Axial slice 287 of 512 of a contrast-enhanced abdominal CT in the arterial phase (slice 1 is the lowest), 120 kVp, kernel B30f; 1.00 mm slice thickness and 0.771 mm pixels.
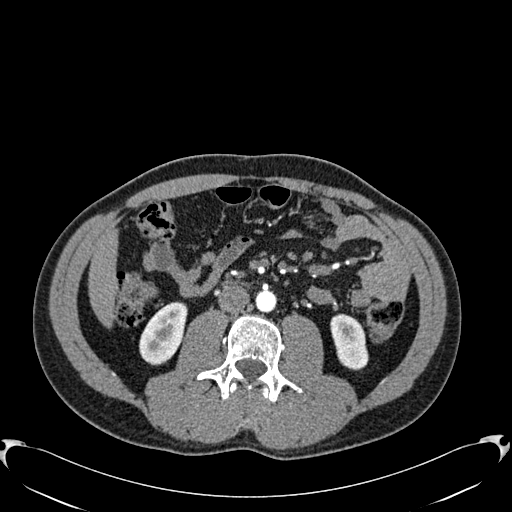
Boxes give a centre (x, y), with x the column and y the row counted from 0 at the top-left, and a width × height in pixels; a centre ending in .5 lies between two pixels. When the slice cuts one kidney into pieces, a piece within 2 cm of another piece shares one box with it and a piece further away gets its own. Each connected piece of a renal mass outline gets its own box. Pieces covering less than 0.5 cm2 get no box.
Boxed on this slice (two kidney boxes), listed by box centre from the image's left to its right: (1) Right kidney in a box with centre (163, 333), 49 × 65 pixels (outlined area 2,169 px, about 12.9 cm2). (2) Box centre (349, 341.5), 39 × 58 pixels: left kidney (outlined area 1,640 px, about 9.8 cm2). No renal mass outline on this slice.